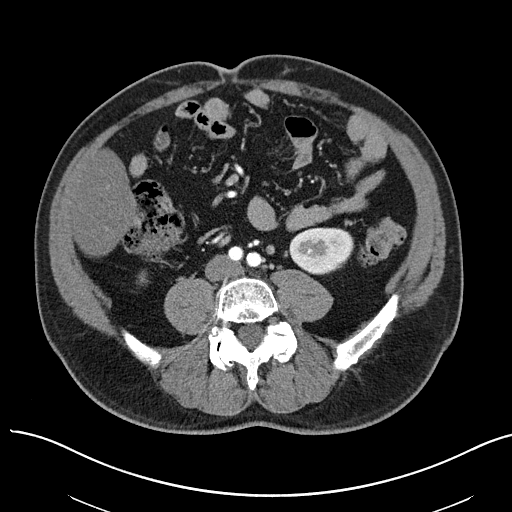
Arterial-phase contrast-enhanced abdominal CT, axial slice 10 of 97 (counted from the lowest slice); tube voltage 100 kVp, convolution kernel I40f; slices 3.00 mm thick, 0.797 mm per pixel.
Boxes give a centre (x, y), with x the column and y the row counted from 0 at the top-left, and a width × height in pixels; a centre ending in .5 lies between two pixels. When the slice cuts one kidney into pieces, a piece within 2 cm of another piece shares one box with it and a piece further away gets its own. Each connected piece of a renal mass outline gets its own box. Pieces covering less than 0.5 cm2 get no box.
Boxed on this slice (two kidney boxes), listed by box centre from the image's left to its right: (1) Right kidney, box centre (142.5, 277.5), 10 × 14 pixels (outlined area 88 px, about 0.6 cm2). (2) Box centre (321, 250.5), 67 × 48 pixels: left kidney (outlined area 2,453 px, about 15.6 cm2). No renal mass outline on this slice.